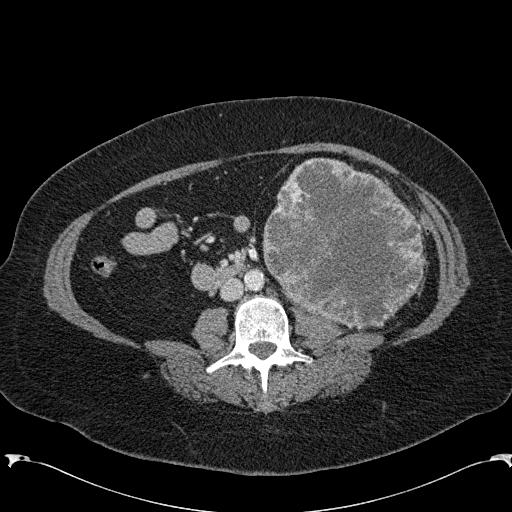
Abdominal CT with intravenous contrast, arterial phase, axial plane, 120 kVp, kernel B31f. Slice 83/285 from the bottom of the scan; thickness 2.00 mm; pixel size 0.762 mm.
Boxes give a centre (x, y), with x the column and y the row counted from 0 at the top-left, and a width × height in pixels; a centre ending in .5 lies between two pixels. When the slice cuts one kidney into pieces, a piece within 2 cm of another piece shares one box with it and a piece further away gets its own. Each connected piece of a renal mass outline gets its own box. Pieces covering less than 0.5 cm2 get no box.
Left renal mass, box centre (343, 243.5), 163 × 174 pixels (outlined area 20,707 px, about 120.1 cm2); no kidney outline appears on this slice, but the same outlined renal mass comes within 1 cm of the kidney on another slice.